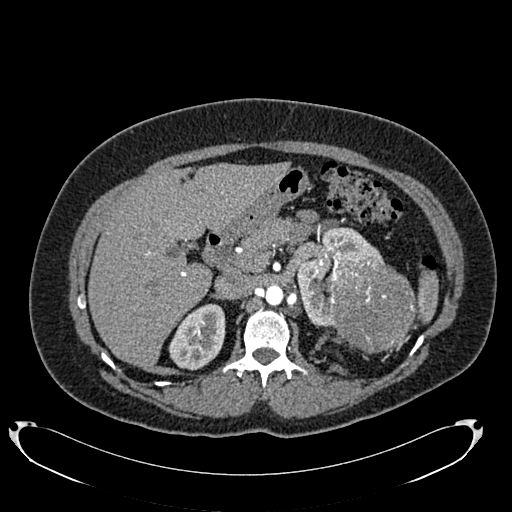
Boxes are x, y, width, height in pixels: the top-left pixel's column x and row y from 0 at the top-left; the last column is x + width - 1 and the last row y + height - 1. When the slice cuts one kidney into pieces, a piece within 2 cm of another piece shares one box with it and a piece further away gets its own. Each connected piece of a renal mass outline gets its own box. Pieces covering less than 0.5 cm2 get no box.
Slice 495/634 of a contrast-enhanced abdominal CT in the arterial phase, counting up from the lowest; pixel size 0.838 mm, slice thickness 1.00 mm. Two kidney boxes and one renal mass box on this slice; by box centre, from the image's left to its right: (1) Box x 168, y 303, width 58, height 68: right kidney (outlined area 2,785 px, about 19.6 cm2). (2) Left kidney at x 297, y 227, width 87, height 100 (outlined area 3,704 px, about 26.0 cm2). (3) Left renal mass, box x 325, y 259, width 92, height 94 (outlined area 6,628 px, about 46.5 cm2).
Tube voltage 120 kVp; convolution kernel B20f.